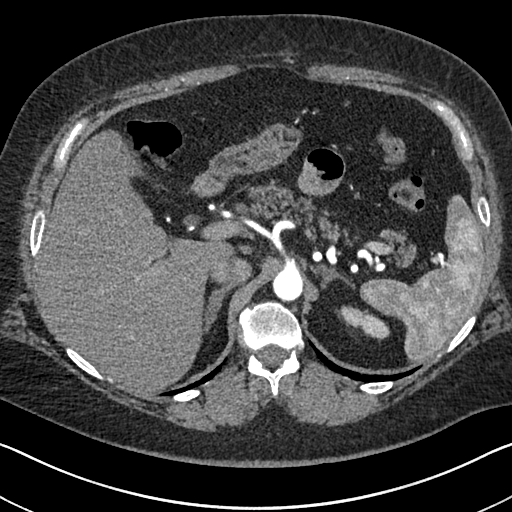
Abdominal CT with intravenous contrast, arterial phase, axial plane, 140 kVp, kernel I30f. Slice 510/591 from the bottom of the scan; thickness 1.00 mm; pixel size 0.703 mm.
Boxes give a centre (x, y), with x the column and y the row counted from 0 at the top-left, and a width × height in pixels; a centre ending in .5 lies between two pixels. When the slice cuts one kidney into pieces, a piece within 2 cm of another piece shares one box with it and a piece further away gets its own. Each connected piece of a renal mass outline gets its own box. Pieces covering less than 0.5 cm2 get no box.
Box centre (363.5, 322), 54 × 35 pixels: left kidney (outlined area 903 px, about 4.5 cm2). This slice carries no renal mass outline.